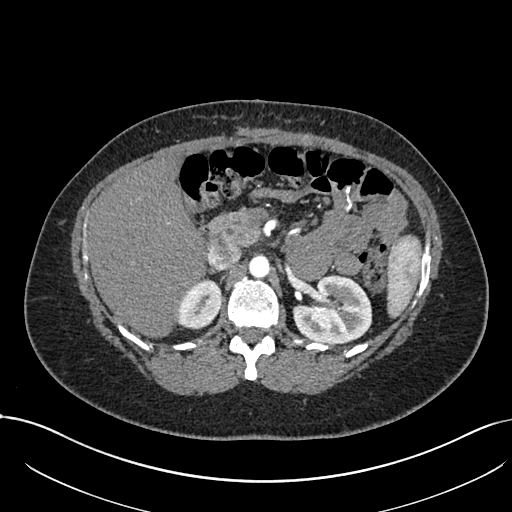
Axial slice 479 of 738 of a contrast-enhanced abdominal CT in the arterial phase (slice 1 is the lowest), 120 kVp, kernel I30f; 1.00 mm slice thickness and 0.789 mm pixels.
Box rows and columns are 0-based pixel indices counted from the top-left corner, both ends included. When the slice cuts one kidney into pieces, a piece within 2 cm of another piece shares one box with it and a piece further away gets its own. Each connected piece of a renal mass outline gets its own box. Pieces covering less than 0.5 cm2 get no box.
Two boxes on this slice (two kidney boxes), listed by box centre from the image's left to its right. (1) Box rows 279–330, columns 178–220: right kidney (outlined area 1,696 px, about 10.6 cm2). (2) Box rows 274–343, columns 292–372: left kidney (outlined area 4,202 px, about 26.2 cm2). No renal mass outline on this slice.